Axial slice 45 of 103 of a contrast-enhanced abdominal CT (slice 1 is the lowest), 120 kVp, kernel STANDARD; 2.50 mm slice thickness and 0.820 mm pixels.
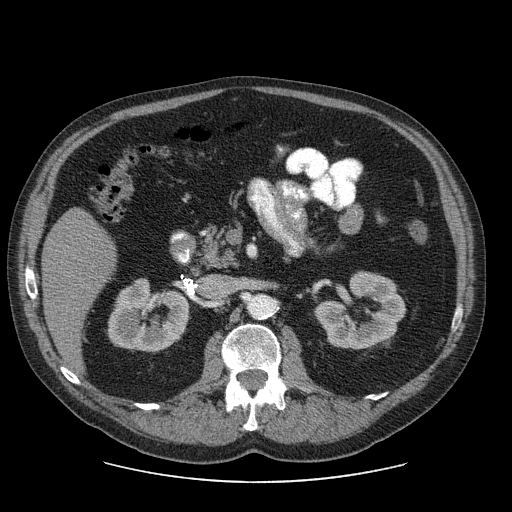
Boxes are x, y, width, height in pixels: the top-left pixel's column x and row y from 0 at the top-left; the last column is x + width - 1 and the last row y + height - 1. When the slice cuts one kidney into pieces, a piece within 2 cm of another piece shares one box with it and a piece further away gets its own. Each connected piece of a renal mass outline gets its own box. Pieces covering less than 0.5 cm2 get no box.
Boxed on this slice (two kidney boxes), listed by box centre from the image's left to its right: (1) Right kidney, box x 107, y 277, width 83, height 76 (outlined area 4,387 px, about 29.5 cm2). (2) Left kidney, box x 314, y 271, width 93, height 79 (outlined area 4,595 px, about 30.9 cm2). No renal mass outline on this slice.